Arterial-phase contrast-enhanced abdominal CT, axial slice 132 of 234 (counted from the lowest slice); tube voltage 100 kVp, convolution kernel I40f; slices 2.00 mm thick, 0.699 mm per pixel.
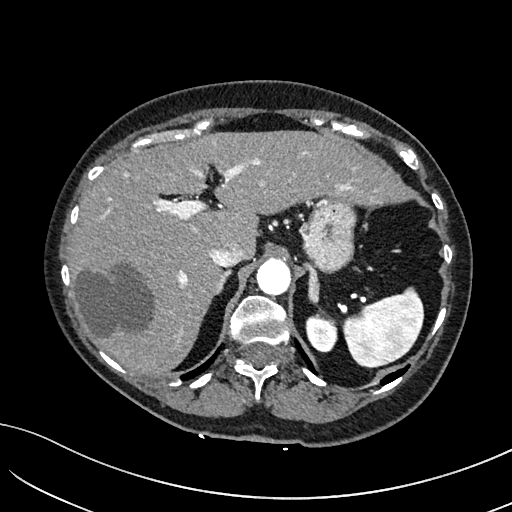
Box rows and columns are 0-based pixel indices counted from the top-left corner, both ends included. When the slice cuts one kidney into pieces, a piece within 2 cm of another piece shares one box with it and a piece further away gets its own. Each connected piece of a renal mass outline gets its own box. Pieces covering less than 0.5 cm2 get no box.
Box rows 314–352, columns 305–335: left kidney (outlined area 925 px, about 4.5 cm2). No renal mass outline on this slice.